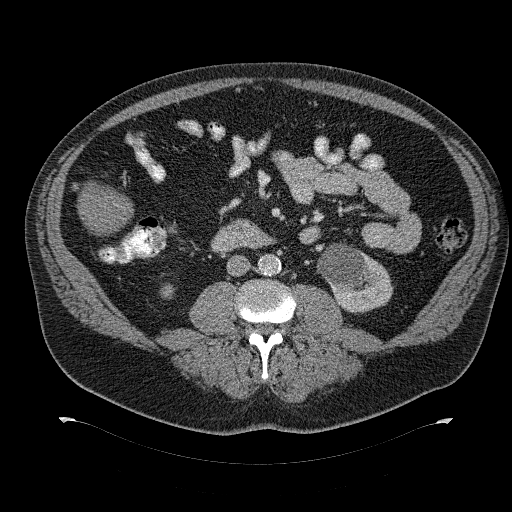
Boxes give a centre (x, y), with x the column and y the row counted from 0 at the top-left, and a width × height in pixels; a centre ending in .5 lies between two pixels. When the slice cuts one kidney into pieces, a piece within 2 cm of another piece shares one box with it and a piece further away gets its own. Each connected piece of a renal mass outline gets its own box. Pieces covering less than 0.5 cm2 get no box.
Slice 159/274 of a contrast-enhanced abdominal CT, counting up from the lowest; pixel size 0.977 mm, slice thickness 2.00 mm. Boxed on this slice (two kidney boxes), listed by box centre from the image's left to its right: (1) Box centre (167, 291), 15 × 17 pixels: right kidney (outlined area 185 px, about 1.8 cm2). (2) Box centre (354.5, 278.5), 78 × 70 pixels: left kidney (outlined area 3,632 px, about 34.6 cm2). No renal mass is outlined on this slice.
Scan settings: 120 kVp, B31f reconstruction kernel.